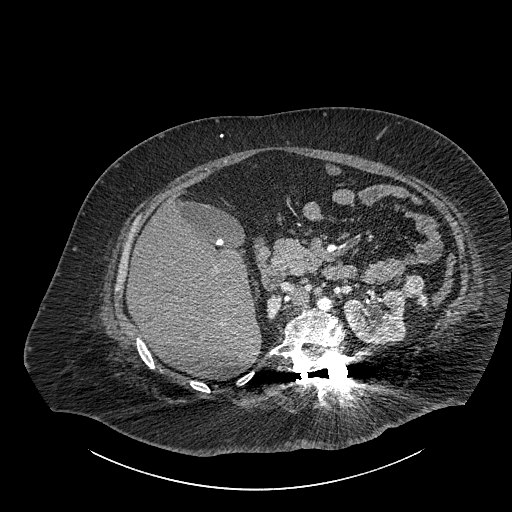
Axial slice 571 of 834 of a contrast-enhanced abdominal CT (slice 1 is the lowest), 140 kVp, kernel I30f; 1.00 mm slice thickness and 0.977 mm pixels.
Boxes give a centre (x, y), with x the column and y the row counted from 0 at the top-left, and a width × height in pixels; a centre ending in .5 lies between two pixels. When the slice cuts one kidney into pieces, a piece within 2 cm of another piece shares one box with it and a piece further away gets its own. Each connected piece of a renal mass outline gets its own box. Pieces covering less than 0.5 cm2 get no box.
Boxed on this slice (two kidney boxes and one renal mass box), listed by box centre from the image's left to its right: (1) Right part of the midline-crossing kidney in a box with centre (273.5, 306.5), 16 × 26 pixels (outlined area 293 px, about 2.8 cm2). (2) Left part of the midline-crossing kidney in a box with centre (374, 317.5), 63 × 56 pixels (outlined area 2,730 px, about 26.0 cm2). (3) Box centre (414.5, 291), 28 × 33 pixels: renal mass (outlined area 564 px, about 5.4 cm2).